Axial slice 174 of 1059 of a contrast-enhanced abdominal CT in the arterial phase (slice 1 is the lowest), 100 kVp, kernel I30f; 1.00 mm slice thickness and 0.811 mm pixels.
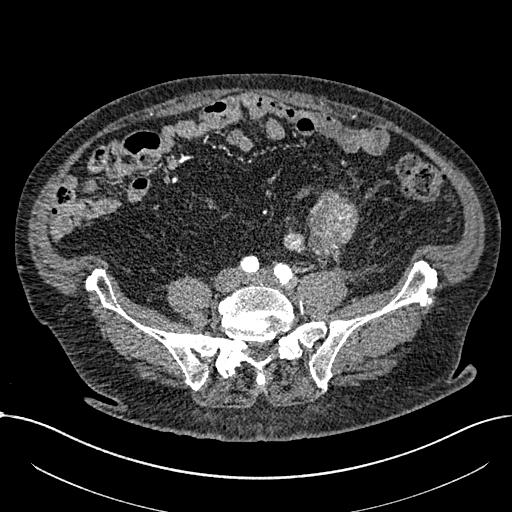
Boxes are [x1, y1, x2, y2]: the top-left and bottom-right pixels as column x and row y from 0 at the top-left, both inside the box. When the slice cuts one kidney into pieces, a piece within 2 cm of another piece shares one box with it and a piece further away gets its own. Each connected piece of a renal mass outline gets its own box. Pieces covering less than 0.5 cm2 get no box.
Two renal mass boxes on this slice; by box centre, from the image's left to its right: (1) Renal mass at [283, 230, 304, 253] (outlined area 375 px, about 2.5 cm2); no kidney outline appears on this slice, but the same outlined renal mass comes within 1 cm of the kidney on another slice. (2) Renal mass, box [306, 189, 359, 268] (outlined area 2,725 px, about 17.9 cm2); no kidney outline appears on this slice, but the same outlined renal mass comes within 1 cm of the kidney on another slice.